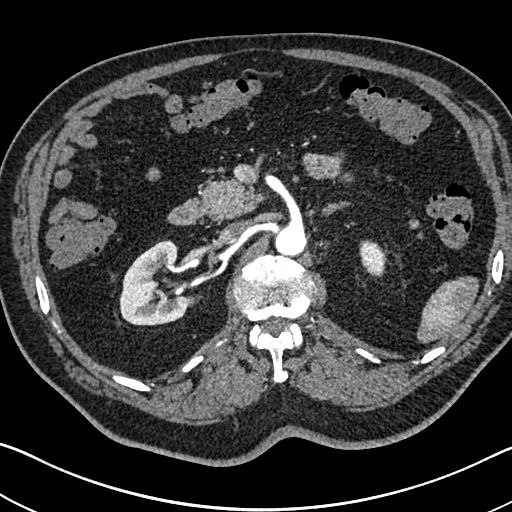
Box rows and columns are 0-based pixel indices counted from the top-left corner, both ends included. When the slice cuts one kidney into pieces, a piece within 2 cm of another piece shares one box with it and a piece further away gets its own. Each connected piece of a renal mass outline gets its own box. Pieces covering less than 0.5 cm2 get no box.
Arterial-phase contrast-enhanced abdominal CT, axial slice 463 of 705 (counted from the lowest slice); 1.00 mm thick, 0.703 mm per pixel. Two kidney boxes on this slice; by box centre, from the image's left to its right: (1) Right kidney, box rows 240–325, columns 119–189 (outlined area 4,222 px, about 20.9 cm2). (2) Left kidney, box rows 240–276, columns 359–387 (outlined area 787 px, about 3.9 cm2). This slice carries no renal mass outline.
Scan settings: 120 kVp, I30f reconstruction kernel.